Abdominal CT with intravenous contrast, axial plane, 120 kVp, kernel FC52. Slice 117/137 from the bottom of the scan; thickness 3.00 mm; pixel size 0.741 mm.
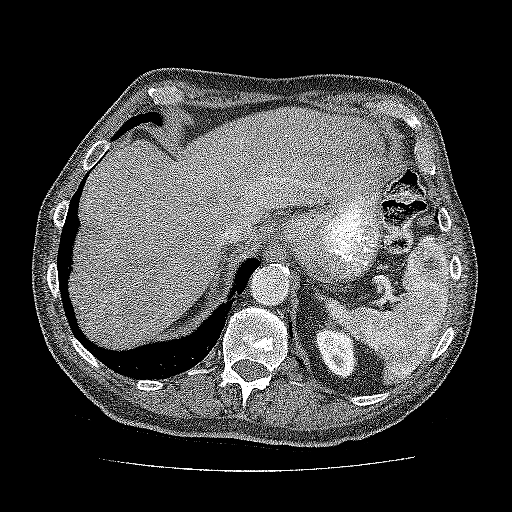
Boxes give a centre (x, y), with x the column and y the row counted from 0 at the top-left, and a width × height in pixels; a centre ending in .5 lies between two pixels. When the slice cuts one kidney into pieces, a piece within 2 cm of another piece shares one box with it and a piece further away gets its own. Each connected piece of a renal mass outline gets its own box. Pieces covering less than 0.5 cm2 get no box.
Kidney in a box with centre (335.5, 350), 42 × 57 pixels (outlined area 1,640 px, about 9.0 cm2). This slice carries no renal mass outline.